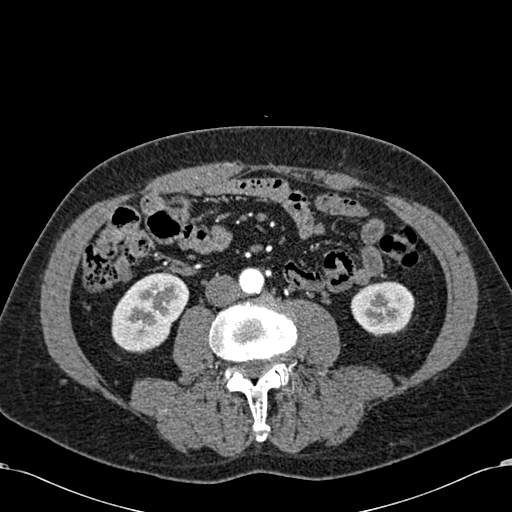
Axial slice 244 of 581 of a contrast-enhanced abdominal CT in the arterial phase (slice 1 is the lowest), 120 kVp, kernel B30f; 1.00 mm slice thickness and 0.713 mm pixels.
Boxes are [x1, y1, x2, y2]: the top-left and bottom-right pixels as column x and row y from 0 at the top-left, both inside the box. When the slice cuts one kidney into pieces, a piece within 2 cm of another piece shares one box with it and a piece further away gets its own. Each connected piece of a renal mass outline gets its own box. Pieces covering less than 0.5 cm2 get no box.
Two kidney boxes on this slice; by box centre, from the image's left to its right: (1) Right kidney at [111, 271, 189, 353] (outlined area 4,462 px, about 22.7 cm2). (2) Left kidney at [350, 281, 414, 334] (outlined area 2,755 px, about 14.0 cm2). No renal mass outline on this slice.